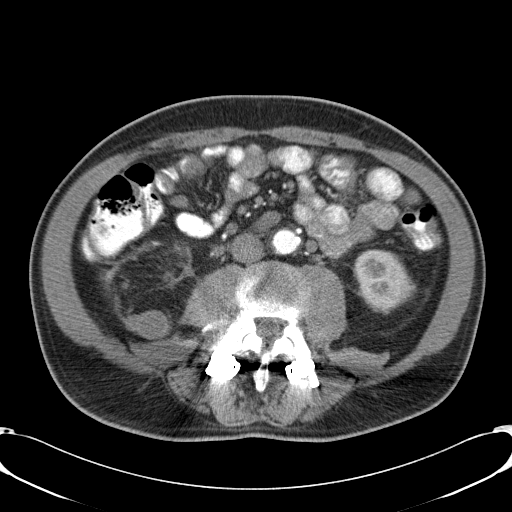
One axial slice (14 of 57, counting up from the lowest) of a contrast-enhanced abdominal CT acquired with 120 kVp, kernel B31f; each pixel is 0.732 mm and the slice is 5.00 mm thick.
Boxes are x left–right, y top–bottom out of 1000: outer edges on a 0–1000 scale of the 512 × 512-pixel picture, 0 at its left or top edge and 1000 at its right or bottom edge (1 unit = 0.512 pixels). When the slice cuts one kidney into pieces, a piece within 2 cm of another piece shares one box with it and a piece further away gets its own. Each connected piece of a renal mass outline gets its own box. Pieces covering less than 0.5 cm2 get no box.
Left kidney at x 691–814, y 486–615 out of 1000 (outlined area 2,960 px, about 15.9 cm2). No renal mass outline on this slice.